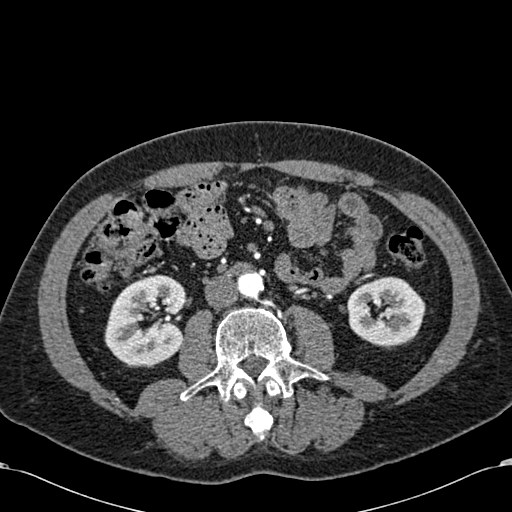
Axial slice 278 of 581 of a contrast-enhanced abdominal CT in the arterial phase (slice 1 is the lowest), 120 kVp, kernel B30f; 1.00 mm slice thickness and 0.713 mm pixels.
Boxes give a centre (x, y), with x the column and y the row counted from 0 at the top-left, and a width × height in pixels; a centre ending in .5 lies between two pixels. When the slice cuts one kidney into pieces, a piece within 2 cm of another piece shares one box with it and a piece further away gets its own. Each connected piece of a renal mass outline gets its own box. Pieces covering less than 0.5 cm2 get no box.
Two kidney boxes on this slice; by box centre, from the image's left to its right: (1) Right kidney, box centre (145.5, 320.5), 84 × 94 pixels (outlined area 5,757 px, about 29.3 cm2). (2) Left kidney, box centre (386, 312.5), 79 × 74 pixels (outlined area 4,237 px, about 21.5 cm2). This slice carries no renal mass outline.